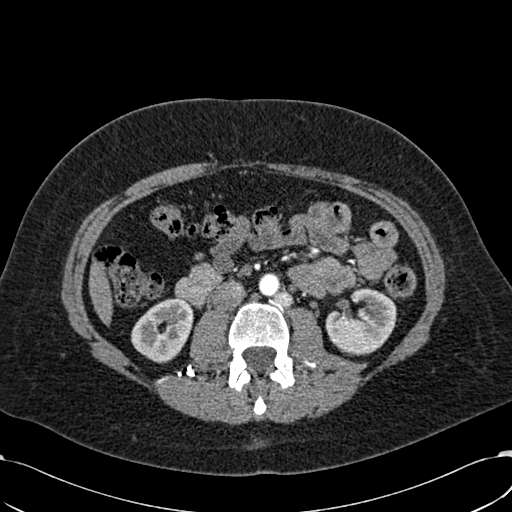
One axial slice (308 of 532, counting up from the lowest) of an arterial-phase abdominal CT acquired with 120 kVp, kernel B30f; each pixel is 0.713 mm and the slice is 1.00 mm thick.
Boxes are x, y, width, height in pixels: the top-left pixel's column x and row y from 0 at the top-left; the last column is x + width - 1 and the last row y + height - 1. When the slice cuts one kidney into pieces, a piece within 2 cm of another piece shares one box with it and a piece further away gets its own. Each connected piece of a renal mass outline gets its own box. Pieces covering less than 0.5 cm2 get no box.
Boxed on this slice (two kidney boxes), listed by box centre from the image's left to its right: (1) Box x 131, y 297, width 63, height 67: right kidney (outlined area 2,922 px, about 14.8 cm2). (2) Left kidney, box x 325, y 287, width 72, height 69 (outlined area 3,494 px, about 17.8 cm2). No renal mass is outlined on this slice.